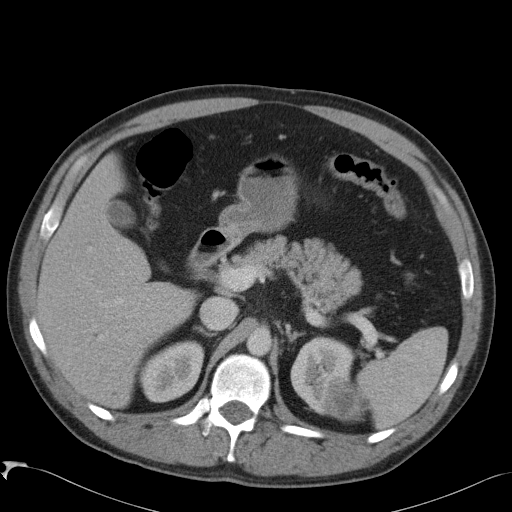
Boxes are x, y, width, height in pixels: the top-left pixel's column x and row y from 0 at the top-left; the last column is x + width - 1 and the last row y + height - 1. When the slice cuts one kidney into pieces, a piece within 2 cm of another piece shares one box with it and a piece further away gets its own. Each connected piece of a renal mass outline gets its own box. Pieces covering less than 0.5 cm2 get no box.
Arterial-phase contrast-enhanced abdominal CT, axial slice 65 of 88 (counted from the lowest slice); 5.00 mm thick, 0.723 mm per pixel. Three boxes on this slice (two kidney boxes and one renal mass box), listed by box centre from the image's left to its right. (1) Right kidney at x 136, y 340, width 69, height 63 (outlined area 2,989 px, about 15.6 cm2). (2) Box x 290, y 336, width 65, height 80: left kidney (outlined area 2,944 px, about 15.4 cm2). (3) Box x 322, y 374, width 49, height 48: left renal mass (outlined area 1,720 px, about 9.0 cm2).
Acquired at 120 kVp and reconstructed with the B41f kernel.